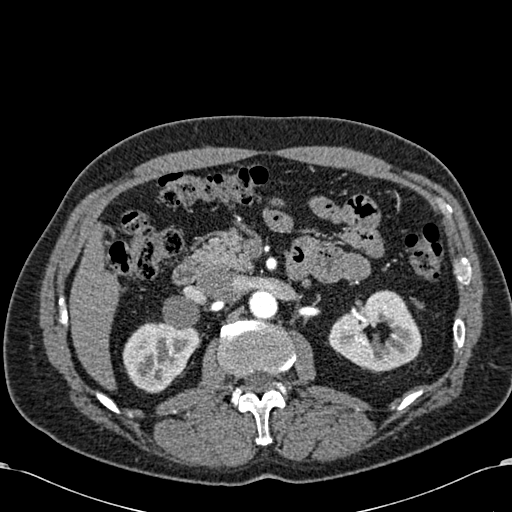
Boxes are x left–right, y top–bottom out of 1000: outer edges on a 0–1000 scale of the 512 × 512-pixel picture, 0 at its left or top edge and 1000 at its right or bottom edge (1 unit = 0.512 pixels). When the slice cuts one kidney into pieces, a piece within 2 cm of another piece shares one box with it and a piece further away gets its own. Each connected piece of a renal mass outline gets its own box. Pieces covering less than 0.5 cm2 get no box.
Arterial-phase contrast-enhanced abdominal CT, axial slice 379 of 581 (counted from the lowest slice); 1.00 mm thick, 0.713 mm per pixel. Two kidney boxes on this slice; by box centre, from the image's left to its right: (1) Box x 238–395, y 629–770 out of 1000: right kidney (outlined area 3,984 px, about 20.2 cm2). (2) Box x 641–824, y 564–727 out of 1000: left kidney (outlined area 5,053 px, about 25.7 cm2). No renal mass is outlined on this slice.
Acquired at 120 kVp and reconstructed with the B30f kernel.